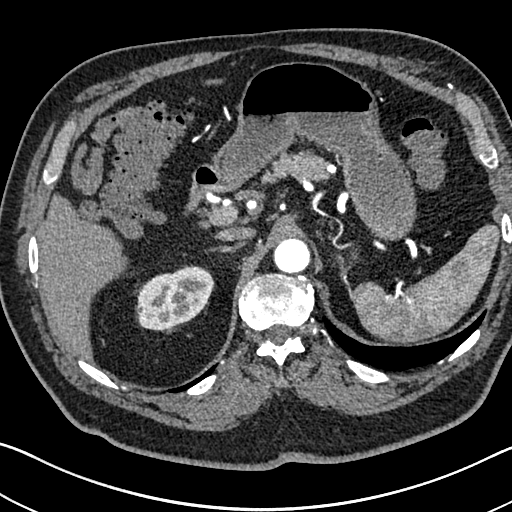
Axial slice 533 of 705 of a contrast-enhanced abdominal CT in the arterial phase (slice 1 is the lowest), 120 kVp, kernel I30f; 1.00 mm slice thickness and 0.703 mm pixels.
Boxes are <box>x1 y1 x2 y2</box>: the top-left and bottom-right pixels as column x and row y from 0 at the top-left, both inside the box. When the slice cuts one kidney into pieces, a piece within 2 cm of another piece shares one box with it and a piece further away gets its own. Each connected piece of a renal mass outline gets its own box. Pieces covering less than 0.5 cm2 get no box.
At <box>137 266 213 330</box>: right kidney (outlined area 3,710 px, about 18.3 cm2). No renal mass outline on this slice.